Abdominal CT with intravenous contrast, arterial phase, axial plane, 100 kVp, kernel I40f. Slice 60/102 from the bottom of the scan; thickness 5.00 mm; pixel size 0.781 mm.
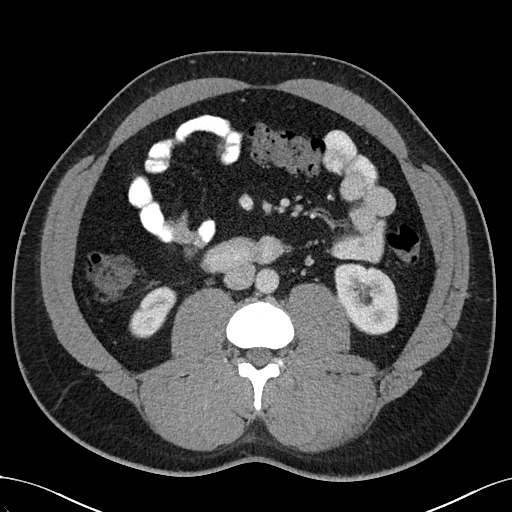
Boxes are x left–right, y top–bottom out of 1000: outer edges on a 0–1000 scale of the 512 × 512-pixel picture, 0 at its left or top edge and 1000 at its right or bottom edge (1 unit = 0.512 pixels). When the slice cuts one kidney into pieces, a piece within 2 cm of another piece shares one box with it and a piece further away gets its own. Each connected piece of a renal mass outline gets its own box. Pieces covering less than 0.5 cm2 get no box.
Two kidney boxes on this slice; by box centre, from the image's left to its right: (1) Right kidney at x 252–346, y 559–662 out of 1000 (outlined area 1,574 px, about 9.6 cm2). (2) Left kidney at x 652–781, y 514–656 out of 1000 (outlined area 3,512 px, about 21.4 cm2). This slice carries no renal mass outline.